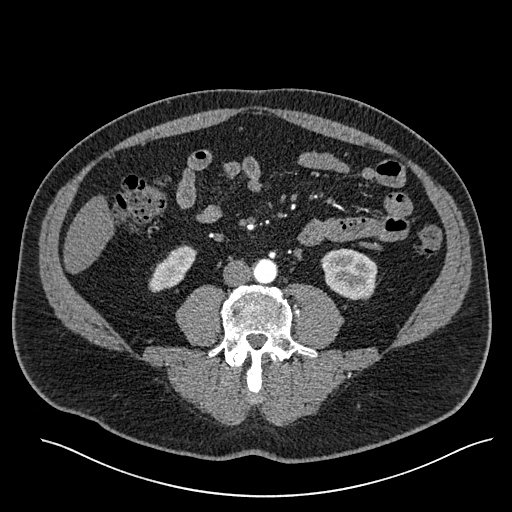
Abdominal CT with intravenous contrast, arterial phase, axial plane, 120 kVp, kernel I30f. Slice 208/527 from the bottom of the scan; thickness 1.00 mm; pixel size 0.859 mm.
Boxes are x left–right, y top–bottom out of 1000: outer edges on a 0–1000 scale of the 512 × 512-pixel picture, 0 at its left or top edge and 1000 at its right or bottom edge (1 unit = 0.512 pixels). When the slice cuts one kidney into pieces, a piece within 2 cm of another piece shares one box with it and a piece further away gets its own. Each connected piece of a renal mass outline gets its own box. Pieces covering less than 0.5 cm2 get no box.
Two kidney boxes on this slice; by box centre, from the image's left to its right: (1) Right kidney at x 289–387, y 479–572 out of 1000 (outlined area 1,338 px, about 9.9 cm2). (2) Box x 625–738, y 484–588 out of 1000: left kidney (outlined area 2,304 px, about 17.0 cm2). No renal mass outline on this slice.